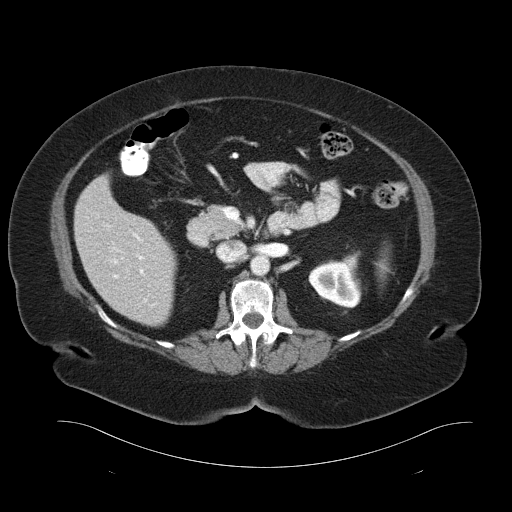
Contrast-enhanced abdominal CT, axial slice 61 of 93 (counted from the lowest slice); tube voltage 120 kVp, convolution kernel B30f; slices 5.00 mm thick, 0.938 mm per pixel.
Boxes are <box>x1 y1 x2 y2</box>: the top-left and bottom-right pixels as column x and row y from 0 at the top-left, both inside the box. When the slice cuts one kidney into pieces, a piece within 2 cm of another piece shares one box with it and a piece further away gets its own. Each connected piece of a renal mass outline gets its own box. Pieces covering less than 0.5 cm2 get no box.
Left kidney at <box>308 251 361 308</box> (outlined area 2,122 px, about 18.7 cm2). No renal mass is outlined on this slice.